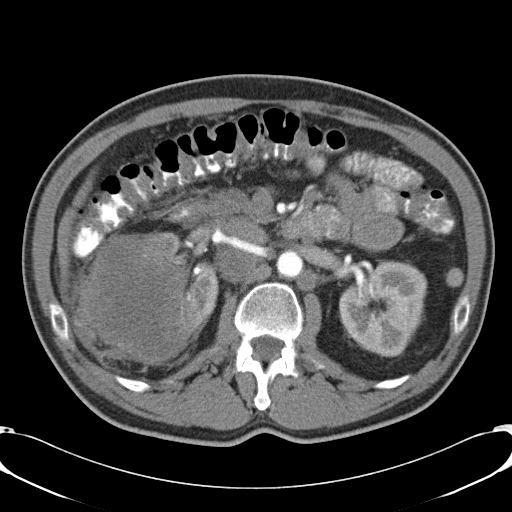
One axial slice (27 of 57, counting up from the lowest) of a contrast-enhanced abdominal CT acquired with 120 kVp, kernel B31f; each pixel is 0.732 mm and the slice is 5.00 mm thick.
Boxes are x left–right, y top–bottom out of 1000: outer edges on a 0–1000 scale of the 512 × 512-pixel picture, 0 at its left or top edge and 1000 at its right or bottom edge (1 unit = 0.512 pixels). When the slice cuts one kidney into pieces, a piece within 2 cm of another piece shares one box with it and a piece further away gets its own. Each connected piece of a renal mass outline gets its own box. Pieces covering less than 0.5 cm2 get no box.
Three boxes on this slice (two kidney boxes and one renal mass box), listed by box centre from the image's left to its right. (1) Right renal mass, box x 139–404, y 455–711 out of 1000 (outlined area 12,048 px, about 64.6 cm2). (2) Right kidney at x 295–428, y 453–625 out of 1000 (outlined area 2,123 px, about 11.4 cm2). (3) Left kidney at x 662–836, y 508–697 out of 1000 (outlined area 6,262 px, about 33.6 cm2).